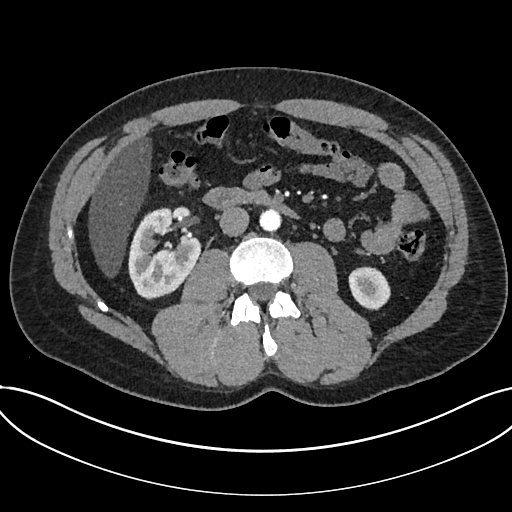
Axial slice 373 of 735 of a contrast-enhanced abdominal CT in the arterial phase (slice 1 is the lowest), 120 kVp, kernel I30f; 1.00 mm slice thickness and 0.789 mm pixels.
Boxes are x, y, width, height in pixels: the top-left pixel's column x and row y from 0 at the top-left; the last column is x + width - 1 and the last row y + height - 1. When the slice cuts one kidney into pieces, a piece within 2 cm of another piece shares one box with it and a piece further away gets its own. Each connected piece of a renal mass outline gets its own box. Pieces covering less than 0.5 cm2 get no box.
Two boxes on this slice (two kidney boxes), listed by box centre from the image's left to its right. (1) Box x 128, y 207, width 73, height 93: kidney (outlined area 4,572 px, about 28.5 cm2). (2) Kidney at x 348, y 266, width 43, height 45 (outlined area 1,426 px, about 8.9 cm2). This slice carries no renal mass outline.